Axial slice 66 of 110 of a contrast-enhanced abdominal CT in the arterial phase (slice 1 is the lowest), 130 kVp, kernel B30s; 5.00 mm slice thickness and 0.836 mm pixels.
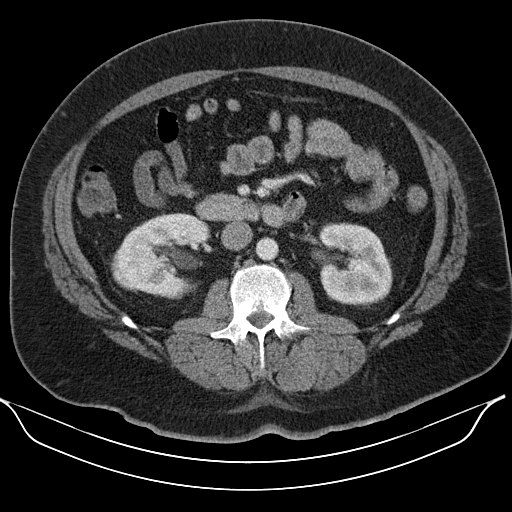
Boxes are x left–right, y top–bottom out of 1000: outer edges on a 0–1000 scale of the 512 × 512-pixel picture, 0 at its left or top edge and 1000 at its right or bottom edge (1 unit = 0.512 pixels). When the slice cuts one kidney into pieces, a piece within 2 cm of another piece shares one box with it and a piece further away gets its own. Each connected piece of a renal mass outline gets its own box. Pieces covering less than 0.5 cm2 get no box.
Three boxes on this slice (two kidney boxes and one renal mass box), listed by box centre from the image's left to its right. (1) Box x 217–311, y 479–570 out of 1000: right renal mass (outlined area 1,670 px, about 11.7 cm2). (2) Box x 230–412, y 416–584 out of 1000: right kidney (outlined area 4,405 px, about 30.8 cm2). (3) Box x 621–768, y 434–600 out of 1000: left kidney (outlined area 5,045 px, about 35.3 cm2).